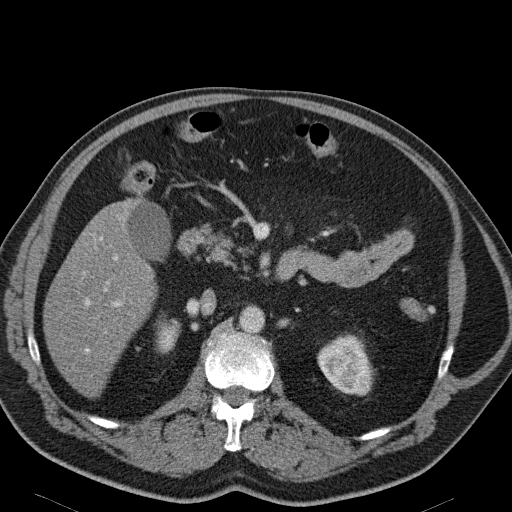
Abdominal CT with intravenous contrast, arterial phase, axial plane, 120 kVp, kernel B31f. Slice 83/114 from the bottom of the scan; thickness 5.00 mm; pixel size 0.781 mm.
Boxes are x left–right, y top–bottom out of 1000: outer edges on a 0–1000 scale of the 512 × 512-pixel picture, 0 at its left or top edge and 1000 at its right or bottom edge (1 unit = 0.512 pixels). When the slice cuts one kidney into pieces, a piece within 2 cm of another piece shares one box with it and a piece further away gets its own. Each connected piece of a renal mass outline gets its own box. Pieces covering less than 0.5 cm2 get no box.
Two kidney boxes and one renal mass box on this slice; by box centre, from the image's left to its right: (1) Right kidney at x 303–355, y 613–691 out of 1000 (outlined area 749 px, about 4.6 cm2). (2) Box x 619–727, y 650–775 out of 1000: left kidney (outlined area 1,278 px, about 7.8 cm2). (3) Box x 646–730, y 686–762 out of 1000: left renal mass (outlined area 1,265 px, about 7.7 cm2).